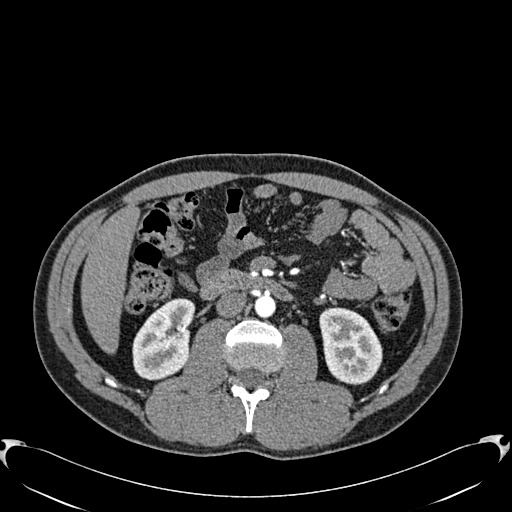
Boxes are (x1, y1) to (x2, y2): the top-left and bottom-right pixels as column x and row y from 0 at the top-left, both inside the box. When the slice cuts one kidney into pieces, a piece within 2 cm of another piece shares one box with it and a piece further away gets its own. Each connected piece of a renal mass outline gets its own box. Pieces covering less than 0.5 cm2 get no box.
Arterial-phase contrast-enhanced abdominal CT, axial slice 319 of 512 (counted from the lowest slice); 1.00 mm thick, 0.771 mm per pixel. Two boxes on this slice (two kidney boxes), listed by box centre from the image's left to its right. (1) Right kidney, box (132, 298) to (195, 380) (outlined area 3,762 px, about 22.4 cm2). (2) Box (319, 307) to (382, 385): left kidney (outlined area 3,771 px, about 22.4 cm2). This slice carries no renal mass outline.
Scan settings: 120 kVp, B30f reconstruction kernel.